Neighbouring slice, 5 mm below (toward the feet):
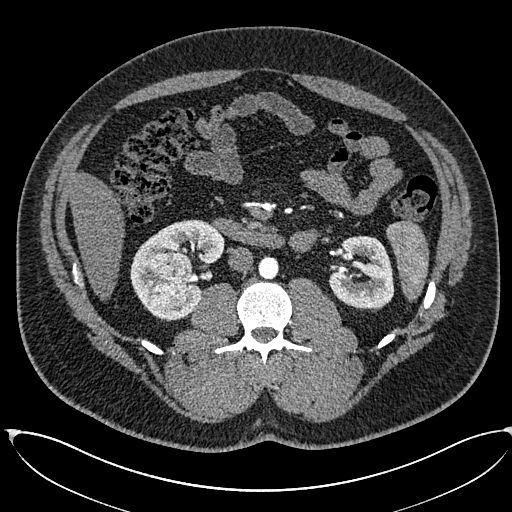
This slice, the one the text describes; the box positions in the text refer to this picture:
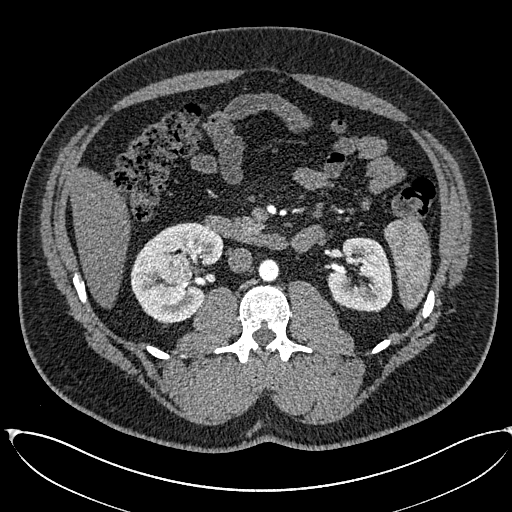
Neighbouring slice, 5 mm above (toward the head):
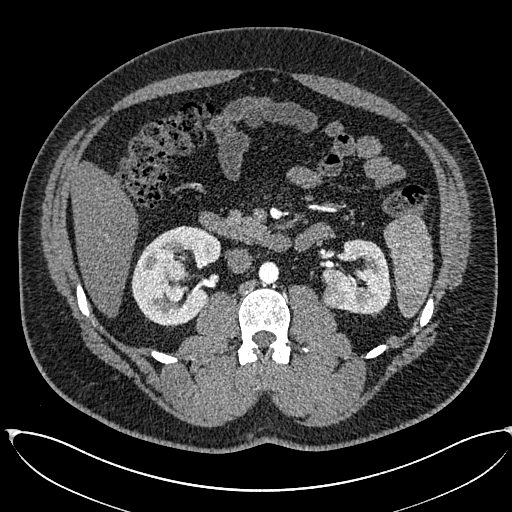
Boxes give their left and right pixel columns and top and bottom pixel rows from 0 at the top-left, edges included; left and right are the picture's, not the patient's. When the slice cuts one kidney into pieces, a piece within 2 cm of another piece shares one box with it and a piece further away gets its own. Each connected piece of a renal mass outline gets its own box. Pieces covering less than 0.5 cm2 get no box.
Arterial-phase contrast-enhanced abdominal CT, axial slice 331 of 673 (counted from the lowest slice); 1.00 mm thick, 0.855 mm per pixel. Four boxes on this slice (two kidney boxes and two renal mass boxes), listed by box centre from the image's left to its right. (1) Box with left 157, top 254, right 192, bottom 304: right renal mass (outlined area 1,435 px, about 10.5 cm2). (2) Right kidney in the box with left 130, top 222, right 223, bottom 323 (outlined area 5,300 px, about 38.8 cm2). (3) Box with left 332, top 292, right 346, bottom 306: left renal mass (outlined area 149 px, about 1.1 cm2). (4) Box with left 326, top 237, right 392, bottom 312: left kidney (outlined area 3,601 px, about 26.4 cm2). This slice lies near the end of the left renal mass toward the feet; the slices 5 mm below and 5 mm above it are shown too, and the boxes mark positions on this slice only.
Tube voltage 120 kVp; convolution kernel I30f.